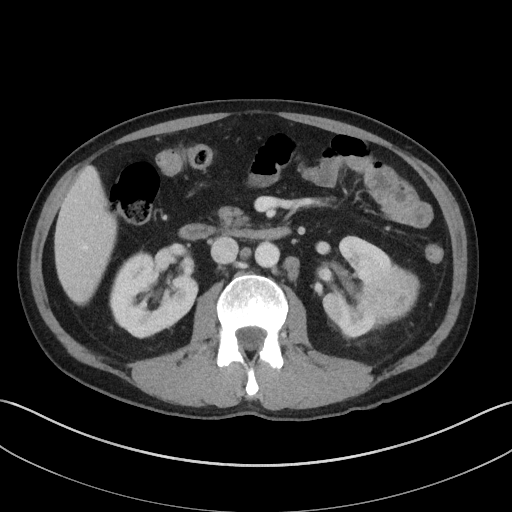
Axial slice 64 of 143 of a contrast-enhanced abdominal CT (slice 1 is the lowest), 100 kVp, kernel I41f; 5.00 mm slice thickness and 0.734 mm pixels.
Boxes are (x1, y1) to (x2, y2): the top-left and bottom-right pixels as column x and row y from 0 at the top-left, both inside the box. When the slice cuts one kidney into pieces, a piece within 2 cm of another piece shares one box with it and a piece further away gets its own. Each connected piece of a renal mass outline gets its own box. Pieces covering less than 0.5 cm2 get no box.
Two kidney boxes and one renal mass box on this slice; by box centre, from the image's left to its right: (1) Right kidney from (109, 252) to (198, 338) (outlined area 5,345 px, about 28.8 cm2). (2) Left kidney from (321, 235) to (397, 339) (outlined area 4,394 px, about 23.7 cm2). (3) Left renal mass, box (365, 265) to (419, 319) (outlined area 2,276 px, about 12.3 cm2).